Axial slice 57 of 107 of a contrast-enhanced abdominal CT (slice 1 is the lowest), 120 kVp, kernel B31f; 5.00 mm slice thickness and 0.730 mm pixels.
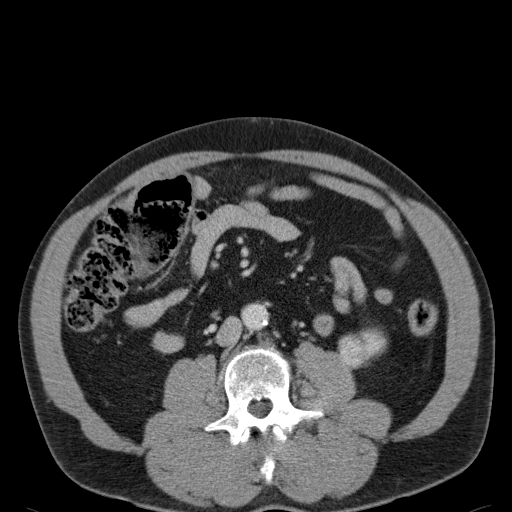
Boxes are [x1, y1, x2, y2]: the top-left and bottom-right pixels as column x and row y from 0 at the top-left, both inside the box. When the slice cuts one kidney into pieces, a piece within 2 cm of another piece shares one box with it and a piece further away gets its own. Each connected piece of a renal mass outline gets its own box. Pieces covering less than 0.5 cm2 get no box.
Boxed on this slice (one kidney box and one renal mass box), listed by box centre from the image's left to its right: (1) Box [338, 333, 367, 368]: left renal mass (outlined area 814 px, about 4.3 cm2). (2) Left kidney at [358, 327, 387, 364] (outlined area 632 px, about 3.4 cm2).